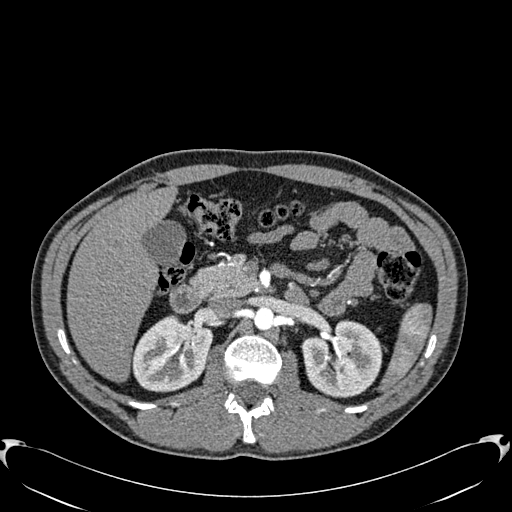
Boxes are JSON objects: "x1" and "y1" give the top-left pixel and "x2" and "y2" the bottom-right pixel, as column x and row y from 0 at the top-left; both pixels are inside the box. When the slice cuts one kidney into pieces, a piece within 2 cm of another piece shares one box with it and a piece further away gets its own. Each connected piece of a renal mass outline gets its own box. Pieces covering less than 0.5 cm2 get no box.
This is axial slice 381 of 512 (slice 1 is the lowest) of an arterial-phase abdominal CT with contrast; each pixel is 0.771 mm and the slice is 1.00 mm thick. Two boxes on this slice (two kidney boxes), listed by box centre from the image's left to its right. (1) Right kidney, box {"x1": 131, "y1": 315, "x2": 212, "y2": 392} (outlined area 4,659 px, about 27.7 cm2). (2) Left kidney, box {"x1": 302, "y1": 319, "x2": 383, "y2": 397} (outlined area 4,804 px, about 28.6 cm2). No renal mass outline on this slice.
Tube voltage 120 kVp; convolution kernel B30f.